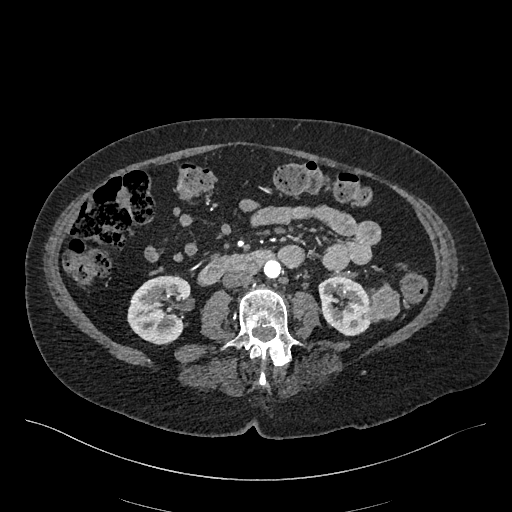
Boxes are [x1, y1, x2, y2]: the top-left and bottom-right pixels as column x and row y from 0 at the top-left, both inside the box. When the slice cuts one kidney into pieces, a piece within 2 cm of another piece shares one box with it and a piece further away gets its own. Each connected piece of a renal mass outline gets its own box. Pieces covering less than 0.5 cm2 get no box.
Slice 204/548 of a contrast-enhanced abdominal CT in the arterial phase, counting up from the lowest; pixel size 0.852 mm, slice thickness 1.00 mm. Three boxes on this slice (two kidney boxes and one renal mass box), listed by box centre from the image's left to its right. (1) Box [127, 275, 190, 344]: right kidney (outlined area 3,404 px, about 24.7 cm2). (2) Left kidney at [318, 276, 371, 336] (outlined area 2,413 px, about 17.5 cm2). (3) Box [364, 282, 399, 322]: left renal mass (outlined area 976 px, about 7.1 cm2).
Acquired at 120 kVp and reconstructed with the I26f kernel.